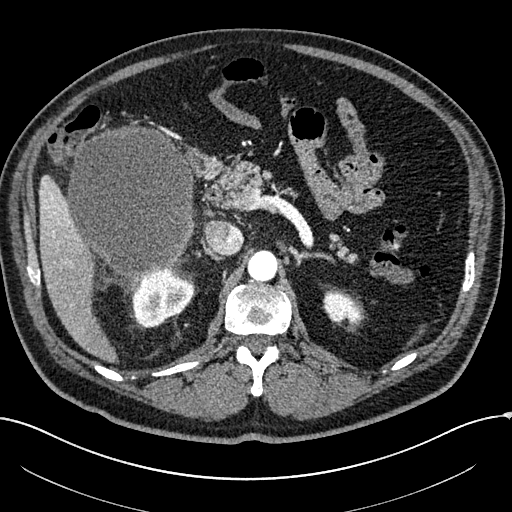
Abdominal CT with intravenous contrast, arterial phase, axial plane, 100 kVp, kernel I30f. Slice 156/304 from the bottom of the scan; thickness 2.00 mm; pixel size 0.809 mm.
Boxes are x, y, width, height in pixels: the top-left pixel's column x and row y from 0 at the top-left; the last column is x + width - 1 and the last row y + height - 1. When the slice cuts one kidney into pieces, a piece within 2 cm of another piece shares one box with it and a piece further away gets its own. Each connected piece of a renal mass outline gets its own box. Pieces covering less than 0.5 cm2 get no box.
Three boxes on this slice (two kidney boxes and one renal mass box), listed by box centre from the image's left to its right. (1) Right renal mass, box x 65, y 124, width 130, height 155 (outlined area 15,398 px, about 100.7 cm2). (2) Box x 125, y 266, width 70, height 62: right kidney (outlined area 2,886 px, about 18.9 cm2). (3) Left kidney at x 323, y 290, width 38, height 35 (outlined area 965 px, about 6.3 cm2).